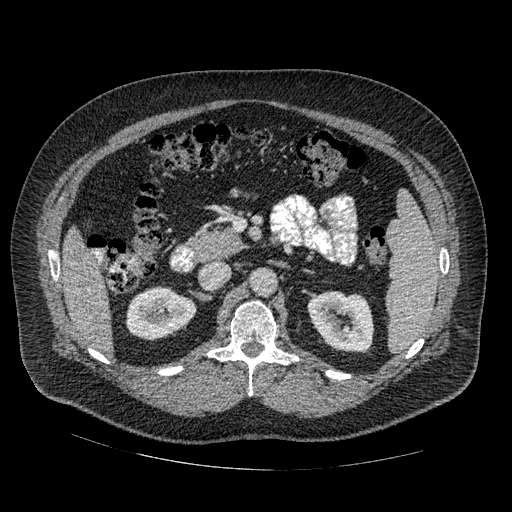
Abdominal CT with intravenous contrast, arterial phase, axial plane, 120 kVp, kernel STANDARD. Slice 294/445 from the bottom of the scan; thickness 1.25 mm; pixel size 0.863 mm.
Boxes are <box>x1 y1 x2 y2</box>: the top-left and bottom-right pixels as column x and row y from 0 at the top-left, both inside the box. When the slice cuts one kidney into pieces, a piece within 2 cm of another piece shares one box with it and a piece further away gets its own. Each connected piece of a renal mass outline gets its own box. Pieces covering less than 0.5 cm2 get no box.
Two kidney boxes on this slice; by box centre, from the image's left to its right: (1) Right kidney at <box>126 285 196 339</box> (outlined area 2,811 px, about 20.9 cm2). (2) Left kidney at <box>307 290 374 353</box> (outlined area 3,238 px, about 24.1 cm2). No renal mass is outlined on this slice.